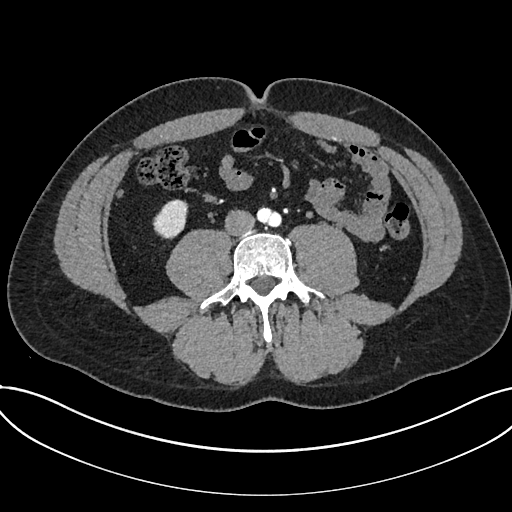
Arterial-phase contrast-enhanced abdominal CT, axial slice 273 of 735 (counted from the lowest slice); tube voltage 120 kVp, convolution kernel I30f; slices 1.00 mm thick, 0.789 mm per pixel.
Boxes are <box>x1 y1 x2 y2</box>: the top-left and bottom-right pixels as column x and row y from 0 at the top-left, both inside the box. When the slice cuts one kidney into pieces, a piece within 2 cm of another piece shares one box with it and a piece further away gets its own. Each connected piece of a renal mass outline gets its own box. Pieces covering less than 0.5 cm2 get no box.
At <box>152 199 188 239</box>: kidney (outlined area 1,052 px, about 6.5 cm2). This slice carries no renal mass outline.